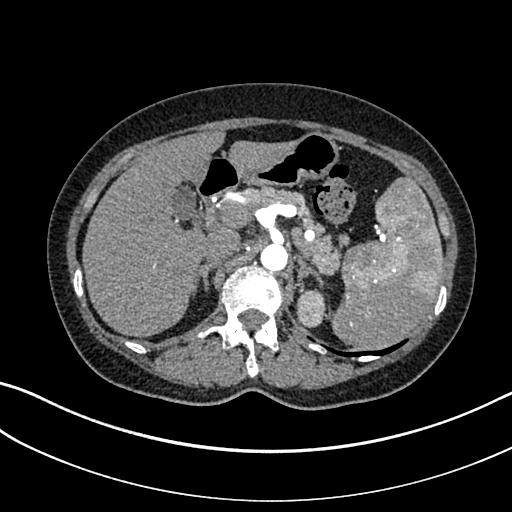
Axial slice 247 of 325 of a contrast-enhanced abdominal CT in the arterial phase (slice 1 is the lowest), 100 kVp, kernel I30f; 1.00 mm slice thickness and 0.703 mm pixels.
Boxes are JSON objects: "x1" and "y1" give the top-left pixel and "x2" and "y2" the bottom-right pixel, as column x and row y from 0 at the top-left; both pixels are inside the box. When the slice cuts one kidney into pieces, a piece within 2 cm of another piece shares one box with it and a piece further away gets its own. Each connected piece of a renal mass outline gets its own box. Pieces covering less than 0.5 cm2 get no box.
Left kidney, box {"x1": 296, "y1": 289, "x2": 327, "y2": 328} (outlined area 962 px, about 4.8 cm2).